Abdominal CT with intravenous contrast, arterial phase, axial plane, 120 kVp, kernel I31f. Slice 165/345 from the bottom of the scan; thickness 2.00 mm; pixel size 0.977 mm.
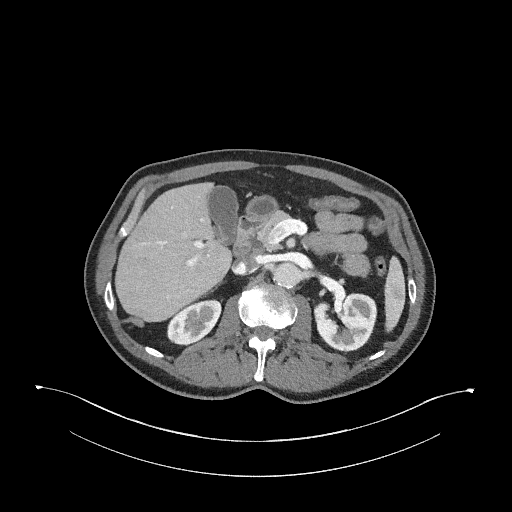
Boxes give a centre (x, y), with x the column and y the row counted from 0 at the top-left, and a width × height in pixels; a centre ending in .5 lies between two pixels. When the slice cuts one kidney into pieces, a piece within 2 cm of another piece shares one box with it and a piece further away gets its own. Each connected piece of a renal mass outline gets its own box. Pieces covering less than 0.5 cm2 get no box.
Boxed on this slice (two kidney boxes), listed by box centre from the image's left to its right: (1) Box centre (193.5, 322), 56 × 47 pixels: right kidney (outlined area 1,801 px, about 17.2 cm2). (2) Left kidney, box centre (345.5, 322), 64 × 61 pixels (outlined area 2,840 px, about 27.1 cm2). No renal mass is outlined on this slice.